One axial slice (183 of 1059, counting up from the lowest) of an arterial-phase abdominal CT acquired with 100 kVp, kernel I30f; each pixel is 0.811 mm and the slice is 1.00 mm thick.
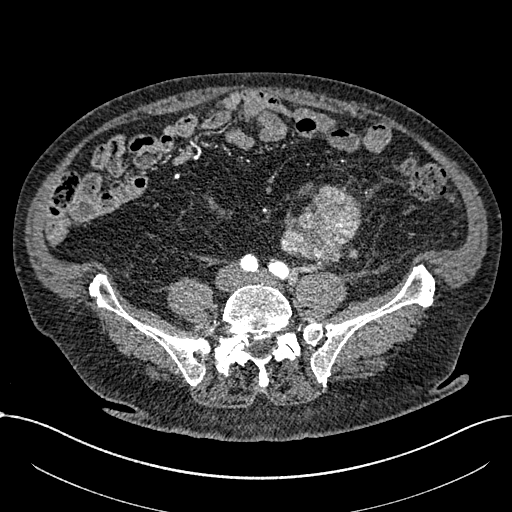
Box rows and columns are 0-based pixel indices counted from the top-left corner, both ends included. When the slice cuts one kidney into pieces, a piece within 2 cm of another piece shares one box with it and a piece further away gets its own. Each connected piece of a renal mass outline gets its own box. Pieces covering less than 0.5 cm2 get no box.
Renal mass at rows 186–263, columns 280–361 (outlined area 4,240 px, about 27.9 cm2); no kidney outline appears on this slice, but the same outlined renal mass comes within 1 cm of the kidney on another slice.